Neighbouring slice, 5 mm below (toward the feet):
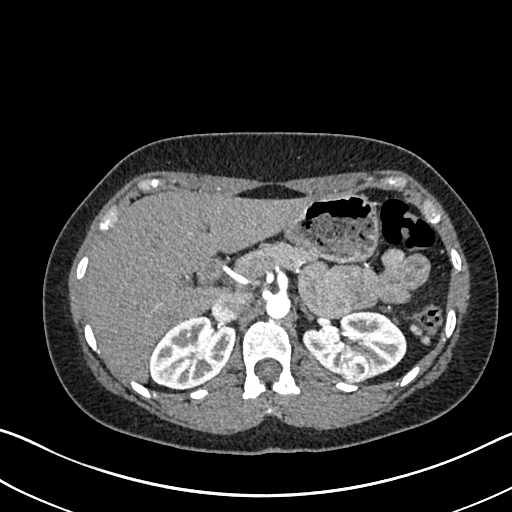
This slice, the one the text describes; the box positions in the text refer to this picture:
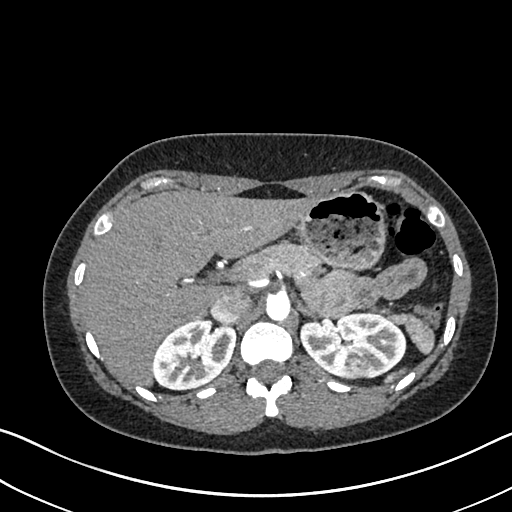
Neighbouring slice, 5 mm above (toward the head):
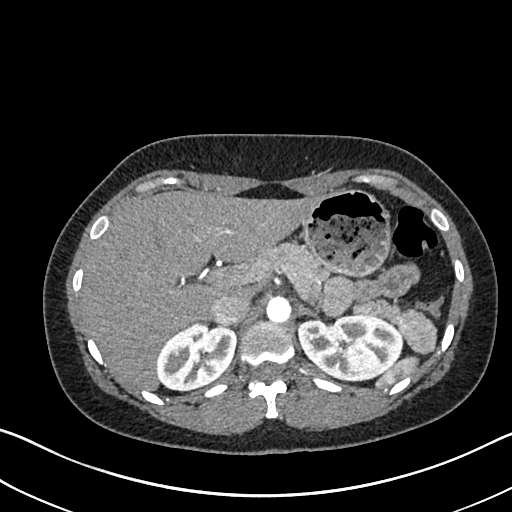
One axial slice (487 of 612, counting up from the lowest) of an arterial-phase abdominal CT acquired with 120 kVp, kernel I30f; each pixel is 0.703 mm and the slice is 1.00 mm thick.
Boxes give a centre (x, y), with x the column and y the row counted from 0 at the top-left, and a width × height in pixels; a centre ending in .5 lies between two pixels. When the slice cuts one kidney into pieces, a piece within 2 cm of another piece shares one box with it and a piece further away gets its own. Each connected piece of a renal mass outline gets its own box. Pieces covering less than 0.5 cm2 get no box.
Two kidney boxes and one renal mass box on this slice; by box centre, from the image's left to its right: (1) Right kidney, box centre (193.5, 354), 84 × 73 pixels (outlined area 4,454 px, about 22.0 cm2). (2) Left kidney, box centre (352.5, 345.5), 108 × 70 pixels (outlined area 5,284 px, about 26.1 cm2). (3) Left renal mass in a box with centre (358, 368), 21 × 21 pixels (outlined area 333 px, about 1.6 cm2). This slice lies near the end of the left renal mass toward the head; the slices 5 mm below and 5 mm above it are shown too, and the boxes mark positions on this slice only.